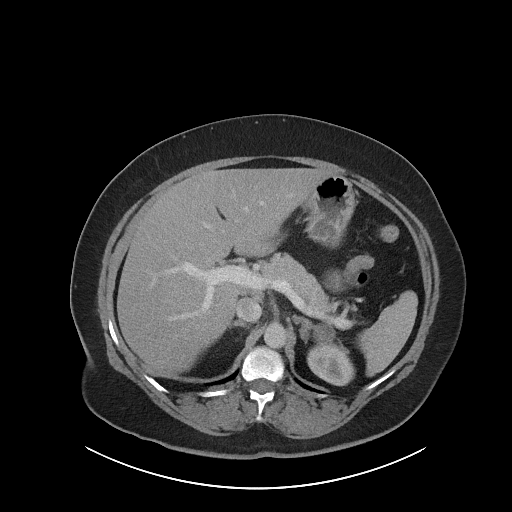
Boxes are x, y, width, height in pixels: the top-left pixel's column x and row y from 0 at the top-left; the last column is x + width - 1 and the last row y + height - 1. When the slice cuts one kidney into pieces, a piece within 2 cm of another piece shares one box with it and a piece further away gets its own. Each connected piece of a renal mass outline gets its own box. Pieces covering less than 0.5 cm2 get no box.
Arterial-phase contrast-enhanced abdominal CT, axial slice 63 of 86 (counted from the lowest slice); 5.00 mm thick, 0.977 mm per pixel. Left kidney at x 307, y 342, width 48, height 45 (outlined area 1,529 px, about 14.6 cm2). No renal mass outline on this slice.
Tube voltage 120 kVp; convolution kernel I40f.